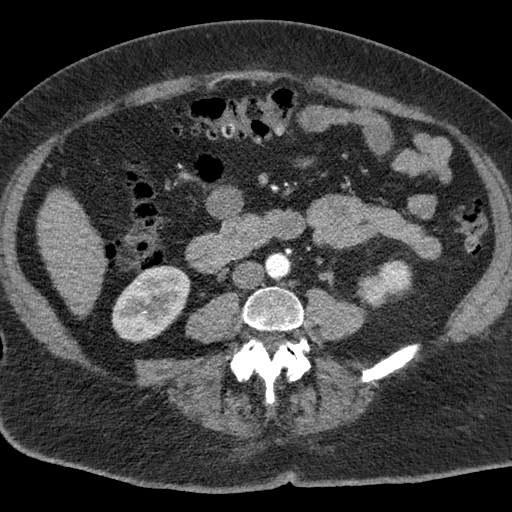
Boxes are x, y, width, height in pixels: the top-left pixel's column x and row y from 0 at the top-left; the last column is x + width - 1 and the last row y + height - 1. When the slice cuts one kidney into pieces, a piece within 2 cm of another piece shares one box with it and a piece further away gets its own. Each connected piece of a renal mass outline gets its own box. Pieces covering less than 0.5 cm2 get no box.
Contrast-enhanced abdominal CT, axial slice 19 of 76 (counted from the lowest slice); 3.00 mm thick, 0.684 mm per pixel. Three boxes on this slice (two kidney boxes and one renal mass box), listed by box centre from the image's left to its right. (1) Right kidney, box x 111, y 265, width 80, height 79 (outlined area 4,374 px, about 20.4 cm2). (2) Box x 356, y 275, width 34, height 32: left renal mass (outlined area 818 px, about 3.8 cm2). (3) Left kidney at x 372, y 258, width 41, height 52 (outlined area 1,053 px, about 4.9 cm2).
Acquired at 120 kVp and reconstructed with the B kernel.